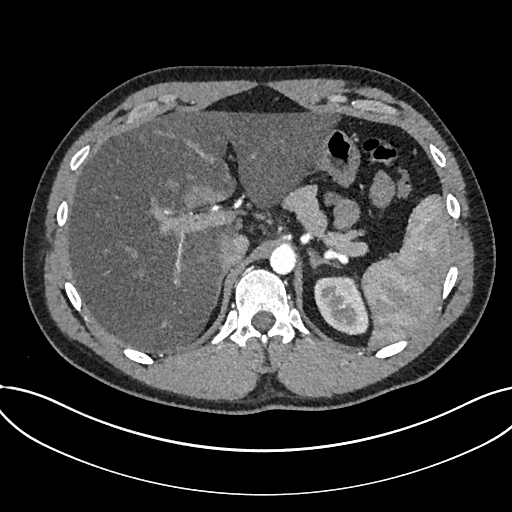
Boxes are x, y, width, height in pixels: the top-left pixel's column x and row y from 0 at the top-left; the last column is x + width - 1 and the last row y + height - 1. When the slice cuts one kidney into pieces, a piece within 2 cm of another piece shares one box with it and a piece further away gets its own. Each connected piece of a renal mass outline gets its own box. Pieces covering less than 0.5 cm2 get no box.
Slice 560/735 of a contrast-enhanced abdominal CT in the arterial phase, counting up from the lowest; pixel size 0.789 mm, slice thickness 1.00 mm. Box x 314, y 276, width 55, height 60: kidney (outlined area 2,453 px, about 15.3 cm2). No renal mass outline on this slice.
Scan settings: 120 kVp, I30f reconstruction kernel.